One axial slice (417 of 512, counting up from the lowest) of an arterial-phase abdominal CT acquired with 120 kVp, kernel B30f; each pixel is 0.771 mm and the slice is 1.00 mm thick.
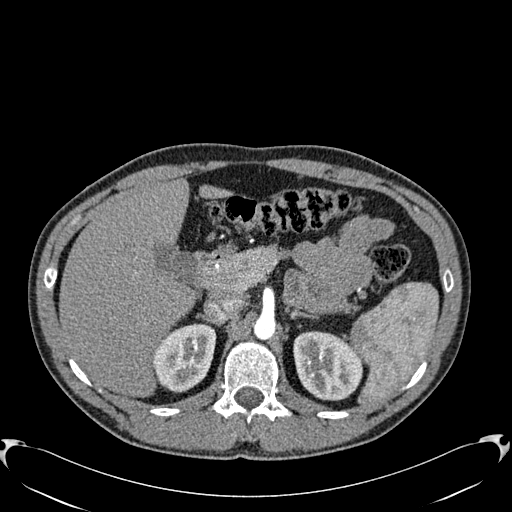
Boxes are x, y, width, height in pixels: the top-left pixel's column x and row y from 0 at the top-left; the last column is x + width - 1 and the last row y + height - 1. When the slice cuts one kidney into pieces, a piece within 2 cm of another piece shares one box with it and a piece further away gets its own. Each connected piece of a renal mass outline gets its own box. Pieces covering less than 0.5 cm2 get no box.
Two kidney boxes on this slice; by box centre, from the image's left to its right: (1) Right kidney, box x 153, y 323, width 64, height 70 (outlined area 3,308 px, about 19.7 cm2). (2) Left kidney at x 293, y 331, width 70, height 70 (outlined area 3,815 px, about 22.7 cm2). This slice carries no renal mass outline.